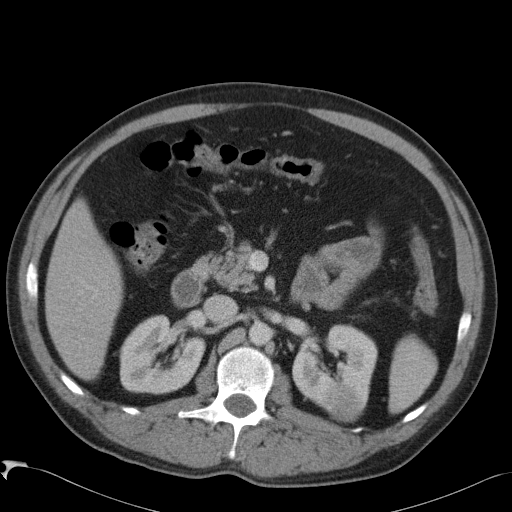
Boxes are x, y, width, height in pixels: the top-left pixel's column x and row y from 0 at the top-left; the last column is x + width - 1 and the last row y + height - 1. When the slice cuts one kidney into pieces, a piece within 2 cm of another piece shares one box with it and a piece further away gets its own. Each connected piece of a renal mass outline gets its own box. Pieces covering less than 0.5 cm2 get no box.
This is axial slice 59 of 88 (slice 1 is the lowest) of an arterial-phase abdominal CT with contrast; each pixel is 0.723 mm and the slice is 5.00 mm thick. Three boxes on this slice (two kidney boxes and one renal mass box), listed by box centre from the image's left to its right. (1) Box x 119, y 315, width 87, height 80: right kidney (outlined area 5,114 px, about 26.7 cm2). (2) Box x 292, y 324, width 86, height 87: left kidney (outlined area 4,479 px, about 23.4 cm2). (3) Left renal mass at x 325, y 384, width 42, height 39 (outlined area 1,226 px, about 6.4 cm2).
Acquired at 120 kVp and reconstructed with the B41f kernel.